Arterial-phase contrast-enhanced abdominal CT, axial slice 456 of 591 (counted from the lowest slice); tube voltage 140 kVp, convolution kernel I30f; slices 1.00 mm thick, 0.703 mm per pixel.
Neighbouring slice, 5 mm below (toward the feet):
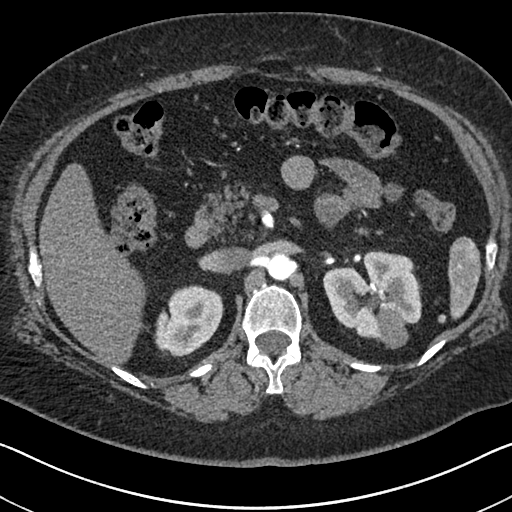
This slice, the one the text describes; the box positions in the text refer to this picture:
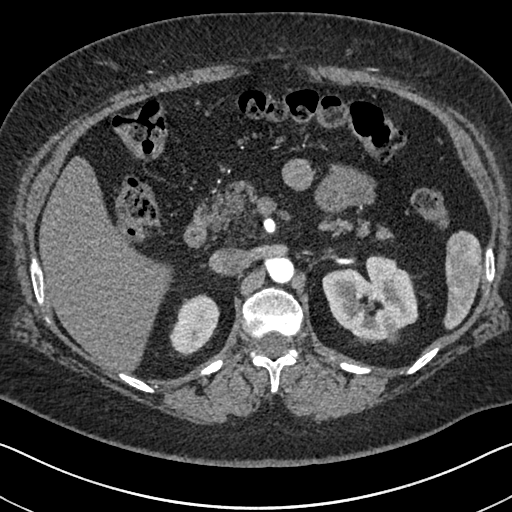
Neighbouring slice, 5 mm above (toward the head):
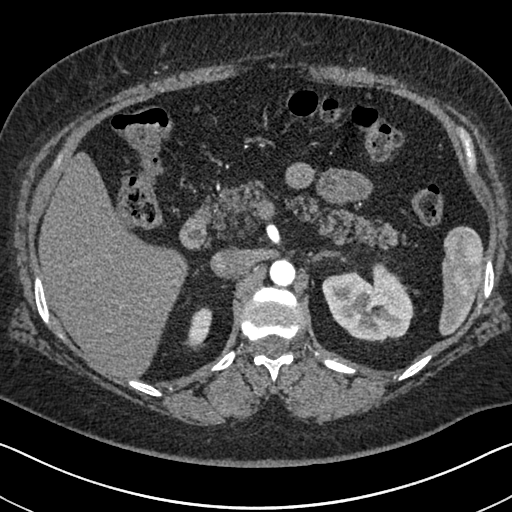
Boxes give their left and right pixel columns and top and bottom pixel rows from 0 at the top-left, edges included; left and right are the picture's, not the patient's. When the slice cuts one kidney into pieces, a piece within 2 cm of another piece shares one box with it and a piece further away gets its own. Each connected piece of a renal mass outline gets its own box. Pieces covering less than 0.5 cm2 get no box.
Two kidney boxes and one renal mass box on this slice; by box centre, from the image's left to its right: (1) Box with left 169, top 294, right 219, bottom 355: right kidney (outlined area 2,163 px, about 10.7 cm2). (2) Box with left 322, top 254, right 418, bottom 341: left kidney (outlined area 5,809 px, about 28.7 cm2). (3) Left renal mass in the box with left 387, top 326, right 397, bottom 342 (outlined area 135 px, about 0.7 cm2). This slice is near the end of the left renal mass toward the head, so the slices 5 mm below and 5 mm above it are shown as well; the boxes refer to this slice only.